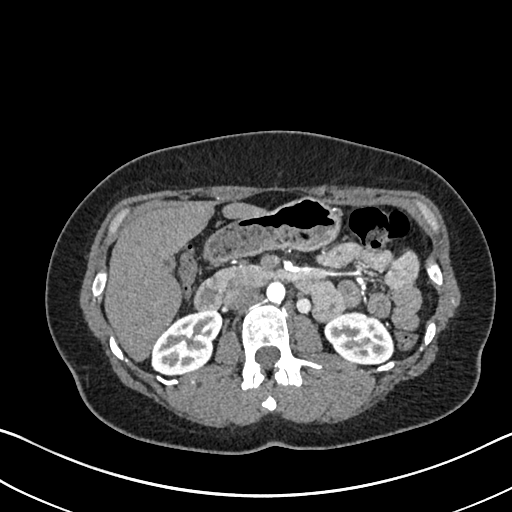
Abdominal CT with intravenous contrast, arterial phase, axial plane, 120 kVp, kernel I30f. Slice 409/612 from the bottom of the scan; thickness 1.00 mm; pixel size 0.703 mm.
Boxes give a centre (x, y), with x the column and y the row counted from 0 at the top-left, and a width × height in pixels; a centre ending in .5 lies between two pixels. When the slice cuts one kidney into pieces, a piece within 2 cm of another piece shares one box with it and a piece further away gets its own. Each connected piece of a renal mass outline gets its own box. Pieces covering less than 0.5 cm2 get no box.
Boxed on this slice (two kidney boxes), listed by box centre from the image's left to its right: (1) Right kidney, box centre (186.5, 342), 72 × 67 pixels (outlined area 3,253 px, about 16.1 cm2). (2) Box centre (359, 337), 71 × 53 pixels: left kidney (outlined area 2,778 px, about 13.7 cm2). No renal mass is outlined on this slice.